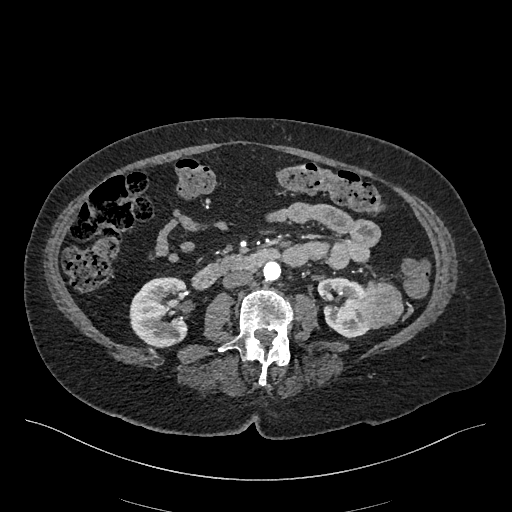
Arterial-phase contrast-enhanced abdominal CT, axial slice 215 of 548 (counted from the lowest slice); tube voltage 120 kVp, convolution kernel I26f; slices 1.00 mm thick, 0.852 mm per pixel.
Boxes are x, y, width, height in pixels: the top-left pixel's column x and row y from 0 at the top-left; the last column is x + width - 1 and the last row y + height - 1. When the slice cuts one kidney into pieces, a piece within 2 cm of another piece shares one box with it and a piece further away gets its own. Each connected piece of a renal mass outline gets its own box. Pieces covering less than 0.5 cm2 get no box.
Two kidney boxes and one renal mass box on this slice; by box centre, from the image's left to its right: (1) Right kidney at x 129, y 277, width 59, height 72 (outlined area 3,359 px, about 24.4 cm2). (2) Left kidney, box x 317, y 277, width 52, height 62 (outlined area 2,184 px, about 15.8 cm2). (3) Left renal mass at x 358, y 277, width 46, height 53 (outlined area 1,722 px, about 12.5 cm2).